Axial slice 40 of 103 of a contrast-enhanced abdominal CT (slice 1 is the lowest), 120 kVp, kernel STANDARD; 2.50 mm slice thickness and 0.736 mm pixels.
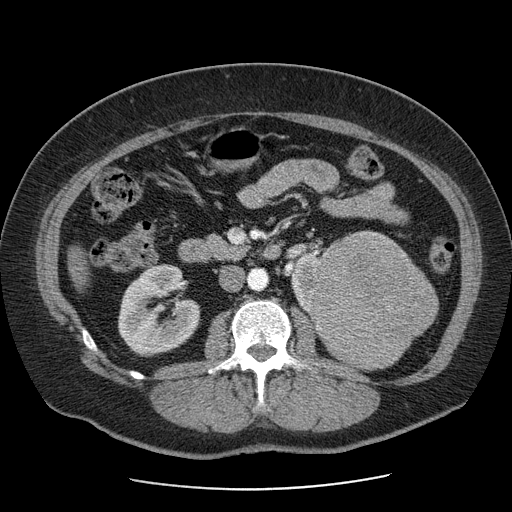
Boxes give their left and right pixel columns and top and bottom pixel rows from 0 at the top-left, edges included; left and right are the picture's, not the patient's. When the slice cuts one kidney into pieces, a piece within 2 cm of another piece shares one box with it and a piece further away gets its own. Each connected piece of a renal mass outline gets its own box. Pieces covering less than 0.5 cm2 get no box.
Boxed on this slice (two kidney boxes and one renal mass box), listed by box centre from the image's left to its right: (1) Right kidney in the box with left 118, top 264, right 200, bottom 356 (outlined area 5,509 px, about 29.9 cm2). (2) Left kidney in the box with left 290, top 230, right 388, bottom 315 (outlined area 1,468 px, about 8.0 cm2). (3) Left renal mass in the box with left 308, top 235, right 438, bottom 371 (outlined area 13,082 px, about 70.9 cm2).